One axial slice (260 of 445, counting up from the lowest) of an arterial-phase abdominal CT acquired with 120 kVp, kernel STANDARD; each pixel is 0.863 mm and the slice is 1.25 mm thick.
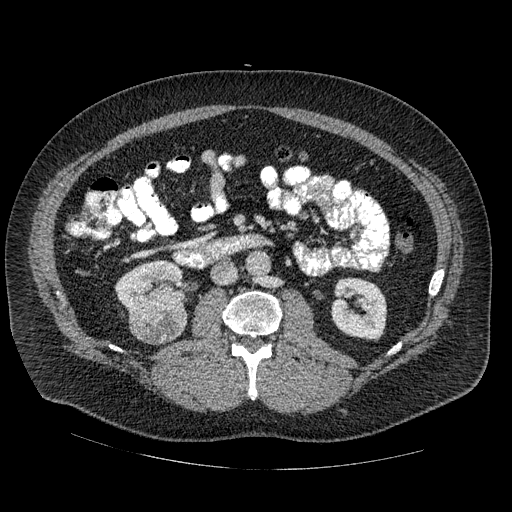
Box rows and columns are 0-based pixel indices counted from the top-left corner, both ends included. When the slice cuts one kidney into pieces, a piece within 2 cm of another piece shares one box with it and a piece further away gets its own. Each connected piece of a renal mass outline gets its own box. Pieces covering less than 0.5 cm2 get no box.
Boxed on this slice (two kidney boxes and one renal mass box), listed by box centre from the image's left to its right: (1) Box rows 260–310, columns 115–186: right kidney (outlined area 2,494 px, about 18.6 cm2). (2) Box rows 299–345, columns 129–188: right renal mass (outlined area 2,209 px, about 16.5 cm2). (3) Left kidney, box rows 278–341, columns 330–387 (outlined area 2,767 px, about 20.6 cm2).